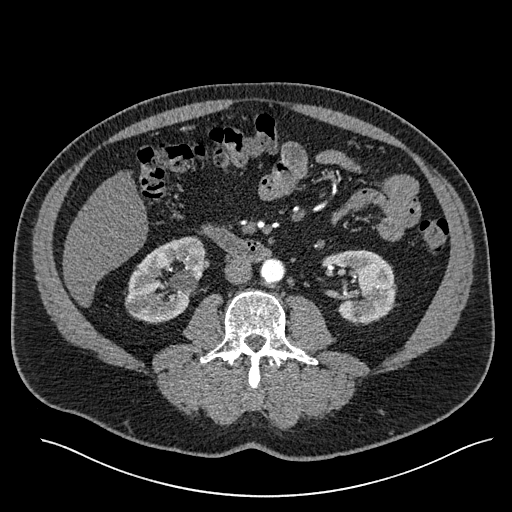
Axial slice 273 of 527 of a contrast-enhanced abdominal CT in the arterial phase (slice 1 is the lowest), 120 kVp, kernel I30f; 1.00 mm slice thickness and 0.859 mm pixels.
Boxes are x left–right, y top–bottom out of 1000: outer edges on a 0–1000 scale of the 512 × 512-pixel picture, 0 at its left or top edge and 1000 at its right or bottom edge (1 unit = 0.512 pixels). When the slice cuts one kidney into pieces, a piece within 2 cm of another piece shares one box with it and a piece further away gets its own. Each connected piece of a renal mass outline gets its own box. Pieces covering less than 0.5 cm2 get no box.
Boxed on this slice (two kidney boxes), listed by box centre from the image's left to its right: (1) Box x 244–400, y 461–633 out of 1000: right kidney (outlined area 4,809 px, about 35.5 cm2). (2) Box x 631–775, y 486–637 out of 1000: left kidney (outlined area 3,897 px, about 28.8 cm2). No renal mass is outlined on this slice.